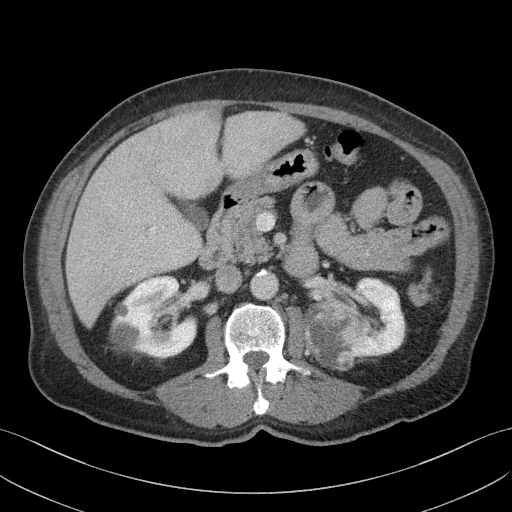
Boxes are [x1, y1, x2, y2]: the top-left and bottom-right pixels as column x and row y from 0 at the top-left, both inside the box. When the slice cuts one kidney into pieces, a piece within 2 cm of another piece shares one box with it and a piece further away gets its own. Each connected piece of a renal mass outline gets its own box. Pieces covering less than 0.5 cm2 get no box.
Slice 72/103 of a contrast-enhanced abdominal CT, counting up from the lowest; pixel size 0.742 mm, slice thickness 4.00 mm. Two kidney boxes and one renal mass box on this slice; by box centre, from the image's left to its right: (1) Right kidney, box [109, 275, 197, 358] (outlined area 5,394 px, about 29.7 cm2). (2) Left renal mass at [304, 298, 370, 371] (outlined area 3,593 px, about 19.8 cm2). (3) Left kidney, box [322, 276, 405, 357] (outlined area 3,424 px, about 18.9 cm2).
Acquired at 100 kVp and reconstructed with the I41f kernel.